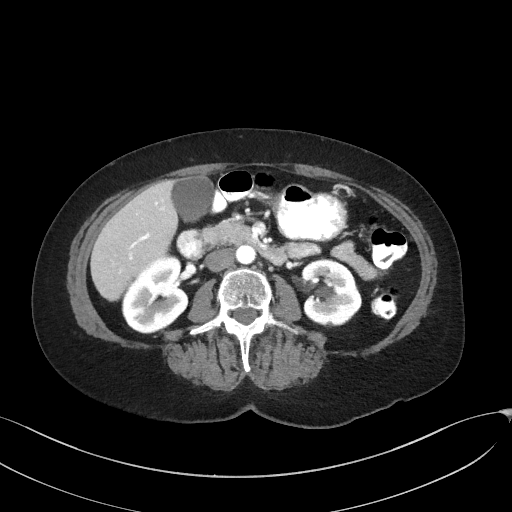
Abdominal CT with intravenous contrast, arterial phase, axial plane, 100 kVp, kernel I41f. Slice 84/129 from the bottom of the scan; thickness 3.00 mm; pixel size 0.779 mm.
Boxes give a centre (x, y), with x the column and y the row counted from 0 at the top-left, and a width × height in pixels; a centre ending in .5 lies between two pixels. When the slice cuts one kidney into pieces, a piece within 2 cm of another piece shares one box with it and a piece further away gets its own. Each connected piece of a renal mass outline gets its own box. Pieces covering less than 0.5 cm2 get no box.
Two kidney boxes on this slice; by box centre, from the image's left to its right: (1) Box centre (154.5, 294.5), 68 × 78 pixels: right kidney (outlined area 3,744 px, about 22.7 cm2). (2) Left kidney, box centre (331, 292), 61 × 69 pixels (outlined area 3,284 px, about 19.9 cm2). No renal mass outline on this slice.